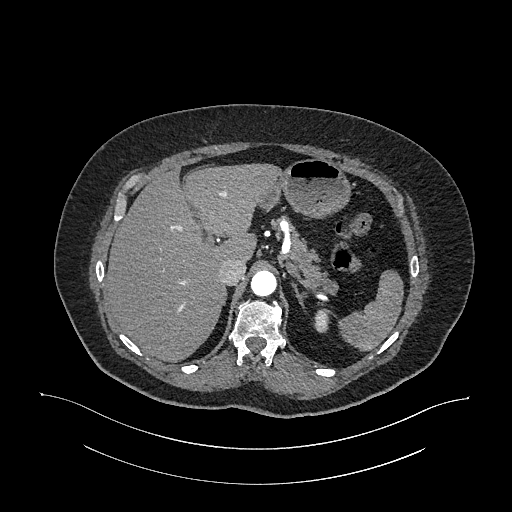
Arterial-phase contrast-enhanced abdominal CT, axial slice 799 of 987 (counted from the lowest slice); tube voltage 120 kVp, convolution kernel I26f; slices 1.00 mm thick, 0.977 mm per pixel.
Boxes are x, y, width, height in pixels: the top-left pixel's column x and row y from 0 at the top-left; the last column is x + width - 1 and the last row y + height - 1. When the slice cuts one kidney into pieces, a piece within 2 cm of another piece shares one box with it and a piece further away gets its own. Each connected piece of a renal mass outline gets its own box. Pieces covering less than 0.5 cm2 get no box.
Left kidney at x 314, y 308, width 18, height 25 (outlined area 322 px, about 3.1 cm2). This slice carries no renal mass outline.